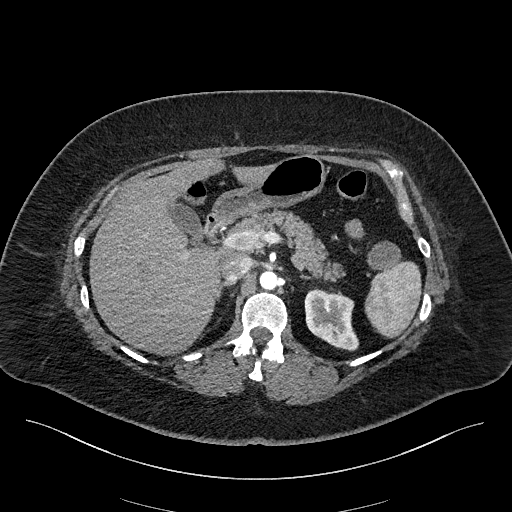
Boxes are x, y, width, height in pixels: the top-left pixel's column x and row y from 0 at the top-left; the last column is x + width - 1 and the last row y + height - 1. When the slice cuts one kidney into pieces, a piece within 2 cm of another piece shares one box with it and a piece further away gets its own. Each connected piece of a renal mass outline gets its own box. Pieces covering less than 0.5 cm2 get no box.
Slice 146/270 of a contrast-enhanced abdominal CT in the arterial phase, counting up from the lowest; pixel size 0.855 mm, slice thickness 2.00 mm. Left kidney, box x 304, y 288, width 56, height 64 (outlined area 2,477 px, about 18.1 cm2). No renal mass is outlined on this slice.
Tube voltage 100 kVp; convolution kernel I40f.